One axial slice (132 of 197, counting up from the lowest) of a contrast-enhanced abdominal CT acquired with 120 kVp, kernel I30f; each pixel is 0.791 mm and the slice is 5.00 mm thick.
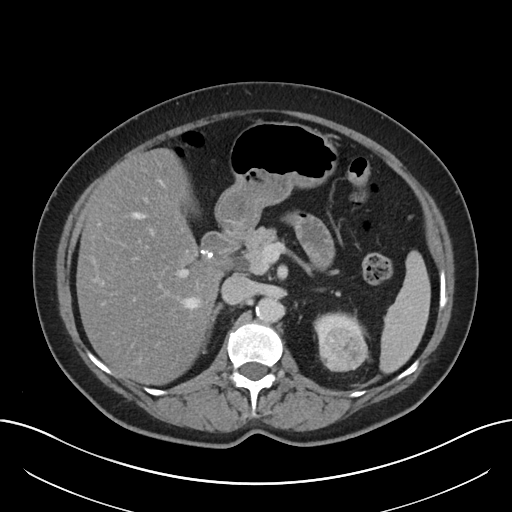
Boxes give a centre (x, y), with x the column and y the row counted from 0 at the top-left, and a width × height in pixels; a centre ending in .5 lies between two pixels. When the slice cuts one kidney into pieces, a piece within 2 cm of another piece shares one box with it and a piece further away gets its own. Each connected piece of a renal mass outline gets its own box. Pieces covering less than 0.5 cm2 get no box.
Two boxes on this slice (one kidney box and one renal mass box), listed by box centre from the image's left to its right. (1) Left kidney in a box with centre (340, 329.5), 55 × 38 pixels (outlined area 881 px, about 5.5 cm2). (2) Left renal mass in a box with centre (343.5, 349), 50 × 47 pixels (outlined area 1,776 px, about 11.1 cm2).